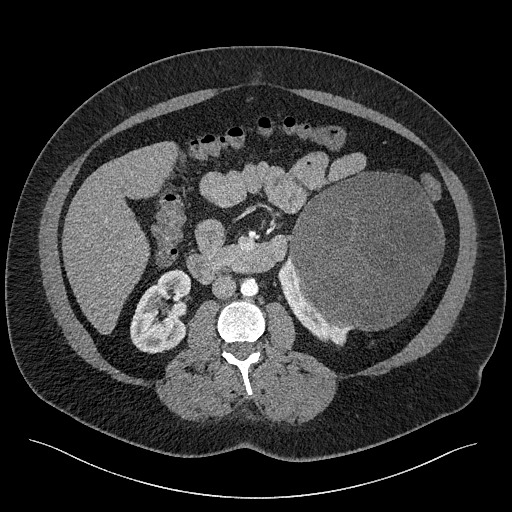
Axial slice 115 of 301 of a contrast-enhanced abdominal CT (slice 1 is the lowest), 120 kVp, kernel I40f; 2.00 mm slice thickness and 0.859 mm pixels.
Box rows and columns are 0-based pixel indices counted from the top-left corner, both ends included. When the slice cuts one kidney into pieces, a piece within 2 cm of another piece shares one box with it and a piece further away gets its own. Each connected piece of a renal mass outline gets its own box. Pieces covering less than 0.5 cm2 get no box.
Two kidney boxes and one renal mass box on this slice; by box centre, from the image's left to its right: (1) Right kidney at rows 269–353, columns 130–192 (outlined area 3,726 px, about 27.5 cm2). (2) Box rows 256–346, columns 278–349: left kidney (outlined area 1,750 px, about 12.9 cm2). (3) Box rows 171–331, columns 288–444: left renal mass (outlined area 19,111 px, about 141.1 cm2).